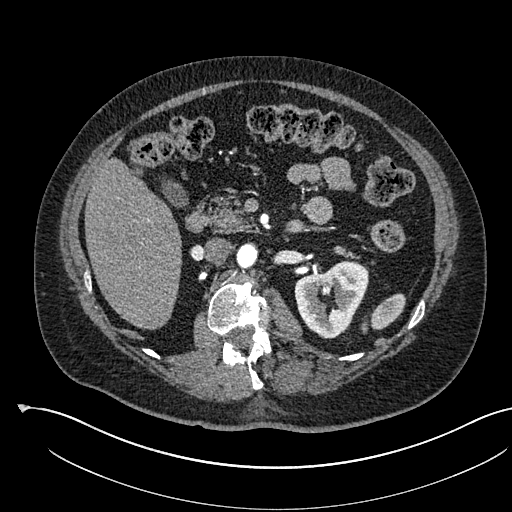
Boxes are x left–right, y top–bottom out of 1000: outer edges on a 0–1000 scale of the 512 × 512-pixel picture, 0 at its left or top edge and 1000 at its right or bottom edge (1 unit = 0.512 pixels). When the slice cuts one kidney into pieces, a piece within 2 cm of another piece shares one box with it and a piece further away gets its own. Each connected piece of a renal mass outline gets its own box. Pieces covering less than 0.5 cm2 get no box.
This is axial slice 349 of 541 (slice 1 is the lowest) of an arterial-phase abdominal CT with contrast; each pixel is 0.834 mm and the slice is 1.00 mm thick. Left kidney, box x 574–721, y 508–662 out of 1000 (outlined area 3,948 px, about 27.5 cm2). No renal mass is outlined on this slice.
Tube voltage 120 kVp; convolution kernel I30f.